One axial slice (265 of 670, counting up from the lowest) of an arterial-phase abdominal CT acquired with 120 kVp, kernel I30f; each pixel is 0.861 mm and the slice is 1.00 mm thick.
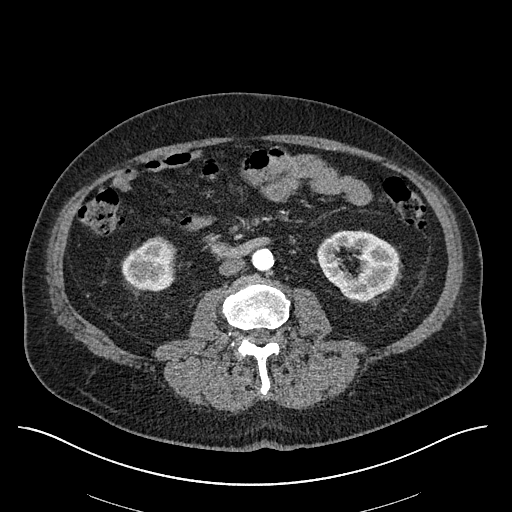
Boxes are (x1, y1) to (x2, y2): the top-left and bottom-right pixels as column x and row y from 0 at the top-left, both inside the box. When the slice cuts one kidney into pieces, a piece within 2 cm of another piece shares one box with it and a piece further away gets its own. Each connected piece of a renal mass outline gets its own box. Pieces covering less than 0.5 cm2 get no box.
Boxed on this slice (two kidney boxes), listed by box centre from the image's left to its right: (1) Right kidney, box (121, 236) to (176, 290) (outlined area 2,303 px, about 17.1 cm2). (2) Box (317, 230) to (399, 301): left kidney (outlined area 4,193 px, about 31.1 cm2). This slice carries no renal mass outline.